One axial slice (45 of 274, counting up from the lowest) of an arterial-phase abdominal CT acquired with 120 kVp, kernel B30f; each pixel is 0.809 mm and the slice is 2.00 mm thick.
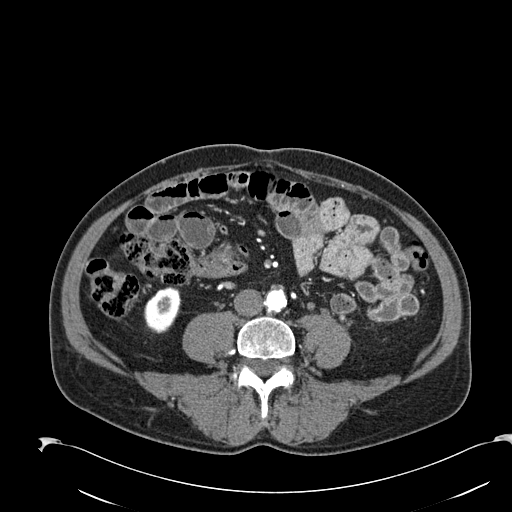
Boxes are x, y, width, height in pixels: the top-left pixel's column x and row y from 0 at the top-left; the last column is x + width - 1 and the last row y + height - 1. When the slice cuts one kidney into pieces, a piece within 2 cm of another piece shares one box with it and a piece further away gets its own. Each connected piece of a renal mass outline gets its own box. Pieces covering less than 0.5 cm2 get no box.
Box x 143, y 288, width 39, height 46: right kidney (outlined area 1,286 px, about 8.4 cm2). No renal mass is outlined on this slice.